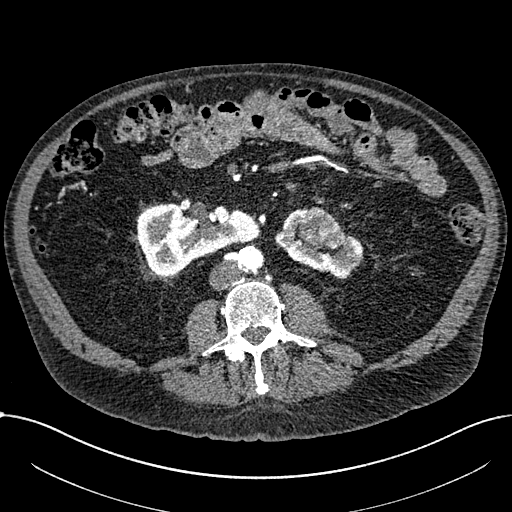
Abdominal CT with intravenous contrast, arterial phase, axial plane, 100 kVp, kernel I30f. Slice 322/1059 from the bottom of the scan; thickness 1.00 mm; pixel size 0.811 mm.
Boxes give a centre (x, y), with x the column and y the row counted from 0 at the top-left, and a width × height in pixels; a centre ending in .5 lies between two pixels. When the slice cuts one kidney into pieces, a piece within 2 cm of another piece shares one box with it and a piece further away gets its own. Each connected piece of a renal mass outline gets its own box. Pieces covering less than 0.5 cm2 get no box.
Three boxes on this slice (two kidney boxes and one renal mass box), listed by box centre from the image's left to its right. (1) Right part of the midline-crossing kidney in a box with centre (197.5, 238.5), 122 × 74 pixels (outlined area 6,046 px, about 39.7 cm2). (2) Left part of the midline-crossing kidney, box centre (318.5, 243), 90 × 73 pixels (outlined area 2,663 px, about 17.5 cm2). (3) Box centre (320.5, 227.5), 48 × 42 pixels: renal mass (outlined area 1,422 px, about 9.3 cm2).